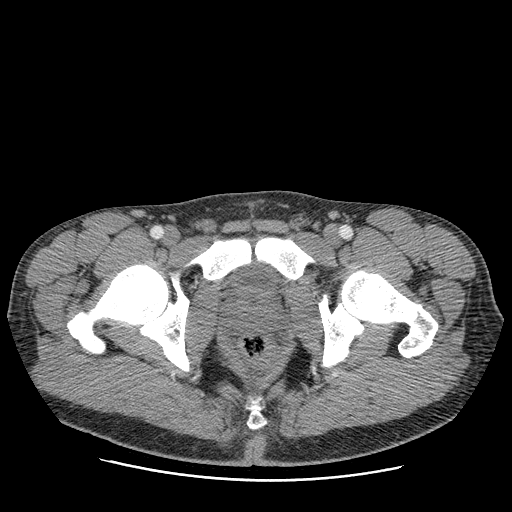
One axial slice (50 of 199, counting up from the lowest) of an arterial-phase abdominal CT acquired with 120 kVp, kernel STANDARD; each pixel is 0.789 mm and the slice is 2.50 mm thick.
Neither a kidney nor a renal mass is outlined here. Only kidneys and renal masses are outlined anywhere in this scan; other structures are never outlined.